Arterial-phase contrast-enhanced abdominal CT, axial slice 285 of 683 (counted from the lowest slice); tube voltage 120 kVp, convolution kernel I30f; slices 1.00 mm thick, 0.738 mm per pixel.
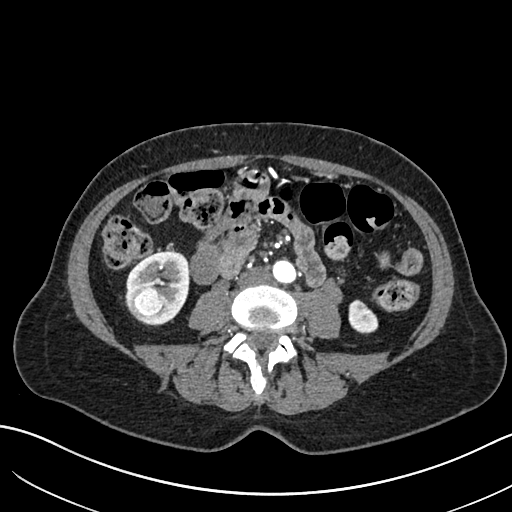
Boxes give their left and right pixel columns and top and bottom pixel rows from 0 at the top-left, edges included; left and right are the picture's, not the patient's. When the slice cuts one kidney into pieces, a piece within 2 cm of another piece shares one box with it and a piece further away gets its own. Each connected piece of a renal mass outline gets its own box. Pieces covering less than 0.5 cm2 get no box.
Two kidney boxes and one renal mass box on this slice; by box centre, from the image's left to its right: (1) Right renal mass, the box with left 128, top 286, right 168, bottom 318 (outlined area 1,079 px, about 5.9 cm2). (2) Right kidney, the box with left 125, top 251, right 189, bottom 325 (outlined area 2,785 px, about 15.2 cm2). (3) Left kidney, the box with left 348, top 299, right 378, bottom 333 (outlined area 780 px, about 4.3 cm2).